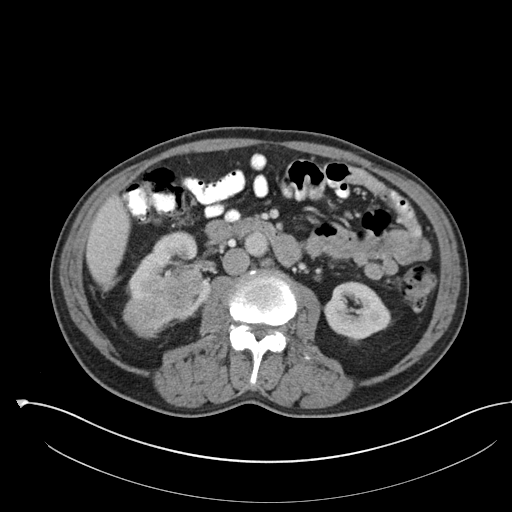
Axial slice 61 of 142 of a contrast-enhanced abdominal CT (slice 1 is the lowest), 100 kVp, kernel I30f; 5.00 mm slice thickness and 0.855 mm pixels.
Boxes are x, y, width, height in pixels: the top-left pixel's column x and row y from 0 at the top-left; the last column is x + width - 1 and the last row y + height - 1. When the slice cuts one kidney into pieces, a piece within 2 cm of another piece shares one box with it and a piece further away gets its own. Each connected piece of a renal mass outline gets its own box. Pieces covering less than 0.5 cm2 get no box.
Three boxes on this slice (two kidney boxes and one renal mass box), listed by box centre from the image's left to its right. (1) Right renal mass, box x 122, y 267, width 81, height 68 (outlined area 3,374 px, about 24.7 cm2). (2) Box x 128, y 230, width 86, height 91: right kidney (outlined area 2,845 px, about 20.8 cm2). (3) Left kidney at x 322, y 281, width 69, height 59 (outlined area 2,856 px, about 20.9 cm2).